Arterial-phase contrast-enhanced abdominal CT, axial slice 295 of 723 (counted from the lowest slice); tube voltage 120 kVp, convolution kernel B30f; slices 1.00 mm thick, 0.895 mm per pixel.
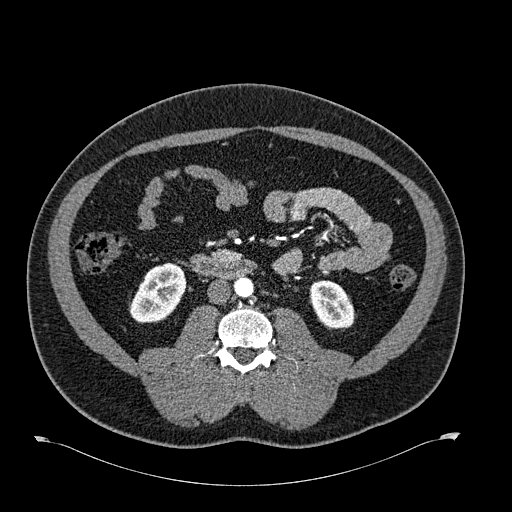
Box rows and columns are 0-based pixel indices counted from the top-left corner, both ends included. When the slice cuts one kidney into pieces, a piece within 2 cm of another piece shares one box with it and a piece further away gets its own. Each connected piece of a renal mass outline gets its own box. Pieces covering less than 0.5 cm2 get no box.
Two boxes on this slice (two kidney boxes), listed by box centre from the image's left to its right. (1) Right kidney at rows 262–323, columns 129–186 (outlined area 2,468 px, about 19.7 cm2). (2) Left kidney at rows 280–330, columns 309–355 (outlined area 1,723 px, about 13.8 cm2). No renal mass outline on this slice.